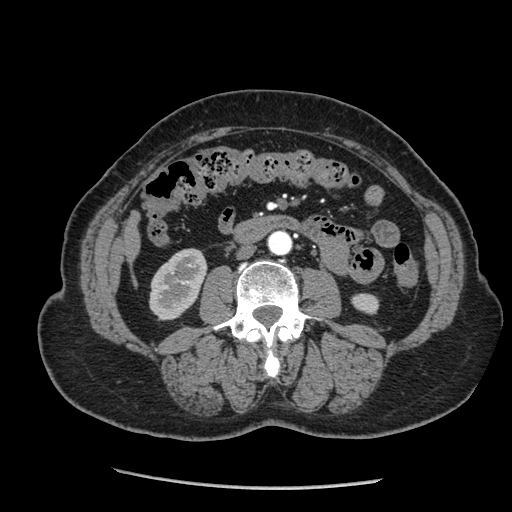
Arterial-phase contrast-enhanced abdominal CT, axial slice 95 of 233 (counted from the lowest slice); tube voltage 120 kVp, convolution kernel STANDARD; slices 1.25 mm thick, 0.703 mm per pixel.
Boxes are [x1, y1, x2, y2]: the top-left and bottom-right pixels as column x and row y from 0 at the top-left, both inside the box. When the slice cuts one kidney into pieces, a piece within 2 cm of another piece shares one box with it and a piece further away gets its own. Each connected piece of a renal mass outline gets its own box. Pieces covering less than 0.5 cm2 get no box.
Boxed on this slice (two kidney boxes), listed by box centre from the image's left to its right: (1) Box [149, 248, 207, 320]: right kidney (outlined area 3,020 px, about 14.9 cm2). (2) Left kidney at [351, 293, 379, 314] (outlined area 492 px, about 2.4 cm2). No renal mass is outlined on this slice.